Abdominal CT with intravenous contrast, arterial phase, axial plane, 120 kVp, kernel B41f. Slice 50/88 from the bottom of the scan; thickness 5.00 mm; pixel size 0.723 mm.
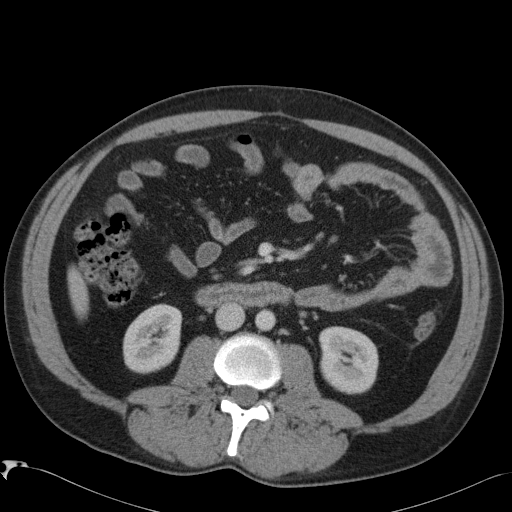
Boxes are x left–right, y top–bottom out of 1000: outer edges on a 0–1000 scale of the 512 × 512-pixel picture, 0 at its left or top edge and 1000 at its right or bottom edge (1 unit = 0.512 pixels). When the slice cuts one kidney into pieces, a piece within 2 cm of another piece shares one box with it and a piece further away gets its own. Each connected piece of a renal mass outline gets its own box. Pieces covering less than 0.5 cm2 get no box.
Boxed on this slice (two kidney boxes), listed by box centre from the image's left to its right: (1) Right kidney, box x 238–357, y 592–730 out of 1000 (outlined area 3,253 px, about 17.0 cm2). (2) Box x 623–740, y 637–771 out of 1000: left kidney (outlined area 3,334 px, about 17.4 cm2). No renal mass is outlined on this slice.